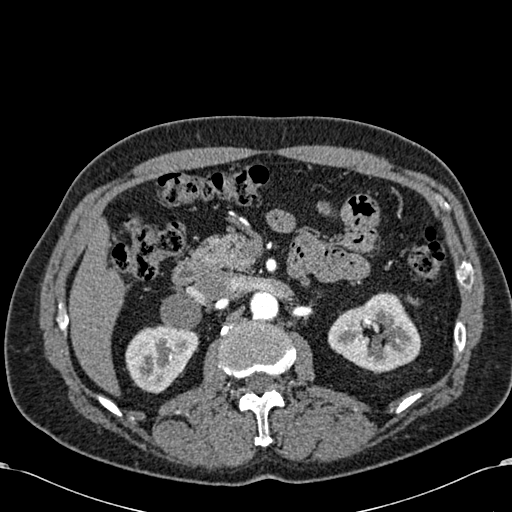
Arterial-phase contrast-enhanced abdominal CT, axial slice 384 of 581 (counted from the lowest slice); tube voltage 120 kVp, convolution kernel B30f; slices 1.00 mm thick, 0.713 mm per pixel.
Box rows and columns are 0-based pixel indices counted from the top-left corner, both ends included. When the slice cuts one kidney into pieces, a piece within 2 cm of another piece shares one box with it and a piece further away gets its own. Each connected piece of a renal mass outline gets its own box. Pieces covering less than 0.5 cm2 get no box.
Two kidney boxes on this slice; by box centre, from the image's left to its right: (1) Right kidney, box rows 324–393, columns 125–199 (outlined area 3,653 px, about 18.6 cm2). (2) Left kidney at rows 292–372, columns 328–421 (outlined area 5,126 px, about 26.1 cm2). This slice carries no renal mass outline.